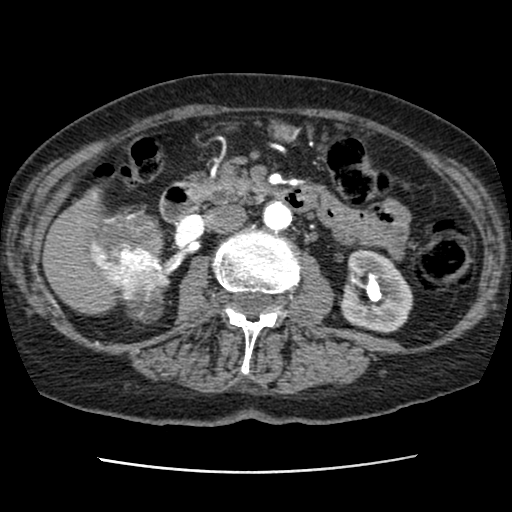
Axial slice 42 of 76 of a contrast-enhanced abdominal CT (slice 1 is the lowest), 120 kVp, kernel STANDARD; 2.50 mm slice thickness and 0.586 mm pixels.
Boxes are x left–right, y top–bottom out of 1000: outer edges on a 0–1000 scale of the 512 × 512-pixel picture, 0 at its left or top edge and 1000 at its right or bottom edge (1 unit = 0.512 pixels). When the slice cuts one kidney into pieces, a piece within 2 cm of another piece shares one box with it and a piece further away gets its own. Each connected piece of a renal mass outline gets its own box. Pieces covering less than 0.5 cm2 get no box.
Boxed on this slice (two kidney boxes and one renal mass box), listed by box centre from the image's left to its right: (1) Right renal mass at x 160–320, y 400–541 out of 1000 (outlined area 4,666 px, about 16.0 cm2). (2) Box x 176–334, y 510–633 out of 1000: right kidney (outlined area 2,250 px, about 7.7 cm2). (3) Left kidney, box x 662–809, y 484–652 out of 1000 (outlined area 4,578 px, about 15.7 cm2).